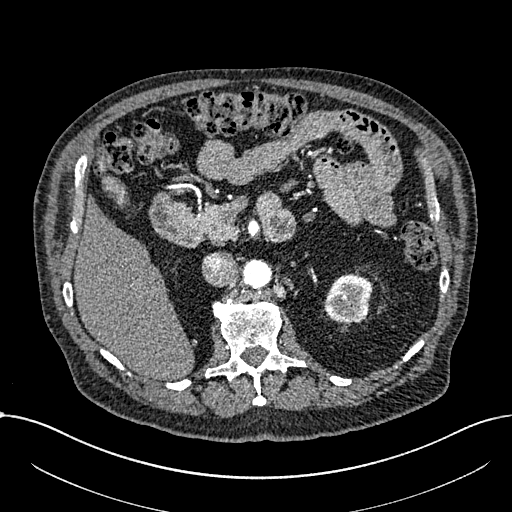
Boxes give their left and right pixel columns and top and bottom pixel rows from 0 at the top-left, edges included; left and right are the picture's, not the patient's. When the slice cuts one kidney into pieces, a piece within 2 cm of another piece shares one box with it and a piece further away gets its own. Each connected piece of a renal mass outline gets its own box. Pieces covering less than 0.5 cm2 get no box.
Slice 444/1059 of a contrast-enhanced abdominal CT in the arterial phase, counting up from the lowest; pixel size 0.811 mm, slice thickness 1.00 mm. Left part of the midline-crossing kidney, the box with left 323, top 274, right 373, bottom 324 (outlined area 1,946 px, about 12.8 cm2). No renal mass is outlined on this slice.
Scan settings: 100 kVp, I30f reconstruction kernel.